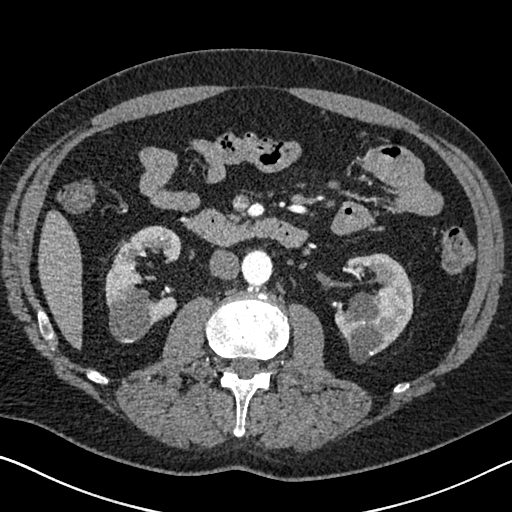
Arterial-phase contrast-enhanced abdominal CT, axial slice 357 of 626 (counted from the lowest slice); tube voltage 120 kVp, convolution kernel I30f; slices 1.00 mm thick, 0.703 mm per pixel.
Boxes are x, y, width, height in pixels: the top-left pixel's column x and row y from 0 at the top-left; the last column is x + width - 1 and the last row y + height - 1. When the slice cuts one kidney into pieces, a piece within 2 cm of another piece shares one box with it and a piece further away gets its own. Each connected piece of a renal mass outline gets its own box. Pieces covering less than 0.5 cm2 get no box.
Two kidney boxes on this slice; by box centre, from the image's left to its right: (1) Right kidney, box x 104, y 225, width 77, height 118 (outlined area 5,423 px, about 26.8 cm2). (2) Left kidney at x 334, y 253, width 80, height 111 (outlined area 5,667 px, about 28.0 cm2). No renal mass is outlined on this slice.